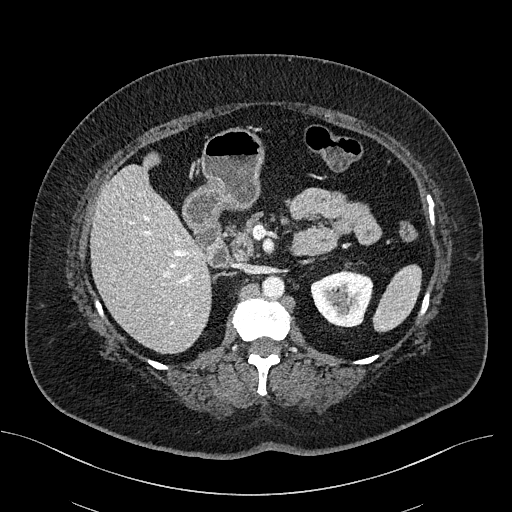
Contrast-enhanced abdominal CT, axial slice 324 of 470 (counted from the lowest slice); tube voltage 100 kVp, convolution kernel I40f; slices 2.00 mm thick, 0.824 mm per pixel.
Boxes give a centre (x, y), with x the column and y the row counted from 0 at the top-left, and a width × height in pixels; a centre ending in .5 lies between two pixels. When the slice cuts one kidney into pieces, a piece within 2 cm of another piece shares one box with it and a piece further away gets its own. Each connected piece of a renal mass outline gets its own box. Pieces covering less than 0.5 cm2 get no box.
Left kidney in a box with centre (341.5, 298.5), 64 × 58 pixels (outlined area 2,740 px, about 18.6 cm2). No renal mass is outlined on this slice.